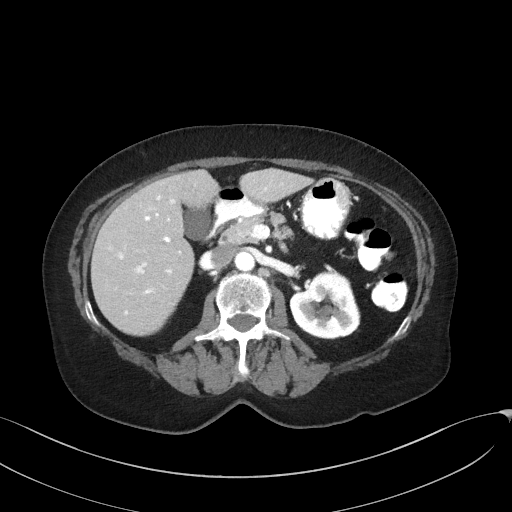
Arterial-phase contrast-enhanced abdominal CT, axial slice 94 of 129 (counted from the lowest slice); tube voltage 100 kVp, convolution kernel I41f; slices 3.00 mm thick, 0.779 mm per pixel.
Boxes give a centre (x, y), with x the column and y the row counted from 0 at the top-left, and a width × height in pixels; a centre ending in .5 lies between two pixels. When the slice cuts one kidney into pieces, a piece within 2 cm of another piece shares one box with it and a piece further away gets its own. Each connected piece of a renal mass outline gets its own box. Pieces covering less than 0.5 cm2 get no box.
Left kidney, box centre (324.5, 305), 72 × 69 pixels (outlined area 3,712 px, about 22.5 cm2). No renal mass is outlined on this slice.